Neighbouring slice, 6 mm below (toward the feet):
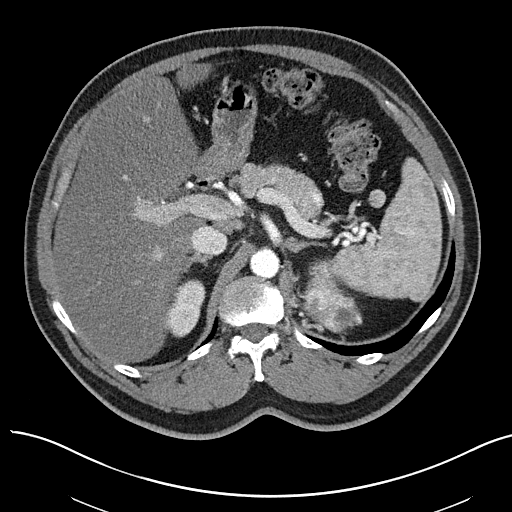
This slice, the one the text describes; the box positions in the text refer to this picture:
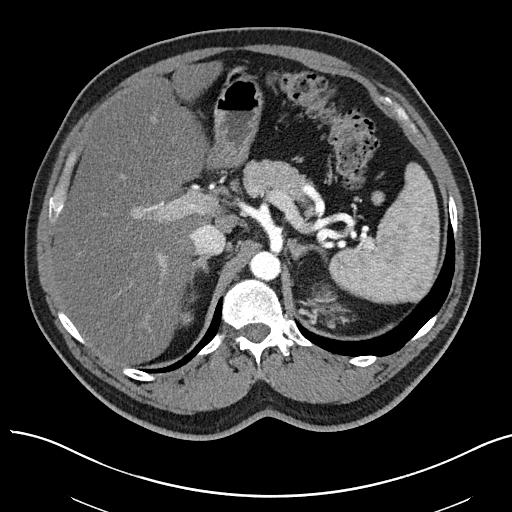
Axial slice 55 of 97 of a contrast-enhanced abdominal CT in the arterial phase (slice 1 is the lowest), 100 kVp, kernel I40f; 3.00 mm slice thickness and 0.797 mm pixels.
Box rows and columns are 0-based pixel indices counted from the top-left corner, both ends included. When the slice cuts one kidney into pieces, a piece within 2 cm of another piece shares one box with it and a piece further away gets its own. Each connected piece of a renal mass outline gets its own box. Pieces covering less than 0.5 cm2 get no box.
Boxed on this slice (one kidney box and one renal mass box), listed by box centre from the image's left to its right: (1) Right kidney at rows 311–327, columns 176–193 (outlined area 209 px, about 1.3 cm2). (2) Left renal mass, box rows 285–315, columns 312–350 (outlined area 659 px, about 4.2 cm2); on this slice it lies more than 1 cm from any kidney outline, but the same outlined renal mass comes within 1 cm of the kidney on another slice. This slice lies near the end of the left renal mass toward the head; the slice 6 mm below it is shown too, and the boxes mark positions on this slice only.